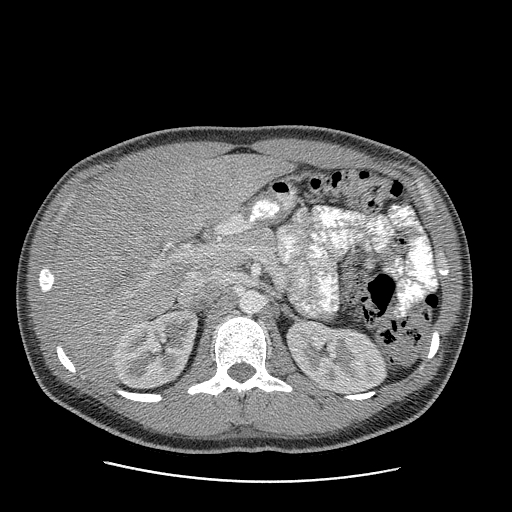
Abdominal CT with intravenous contrast, arterial phase, axial plane, 120 kVp, kernel STANDARD. Slice 160/199 from the bottom of the scan; thickness 2.50 mm; pixel size 0.789 mm.
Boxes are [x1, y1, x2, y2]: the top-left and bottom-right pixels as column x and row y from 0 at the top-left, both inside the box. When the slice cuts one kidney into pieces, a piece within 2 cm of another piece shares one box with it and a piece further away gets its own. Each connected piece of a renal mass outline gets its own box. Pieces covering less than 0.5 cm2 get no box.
Two boxes on this slice (two kidney boxes), listed by box centre from the image's left to its right. (1) Right kidney at [113, 310, 199, 389] (outlined area 4,958 px, about 30.9 cm2). (2) Box [287, 320, 388, 394]: left kidney (outlined area 5,408 px, about 33.7 cm2). This slice carries no renal mass outline.